Axial slice 228 of 602 of a contrast-enhanced abdominal CT in the arterial phase (slice 1 is the lowest), 120 kVp, kernel I30f; 1.00 mm slice thickness and 0.799 mm pixels.
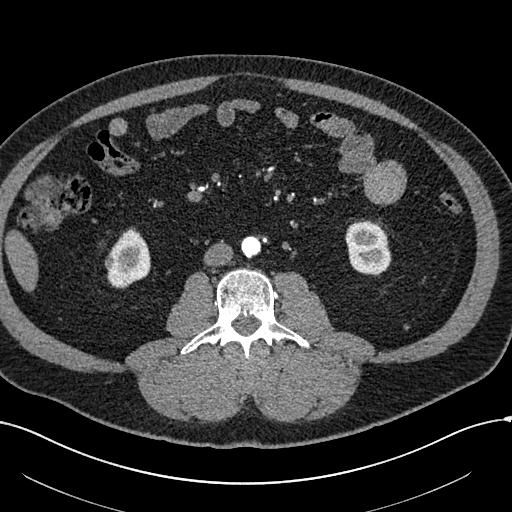
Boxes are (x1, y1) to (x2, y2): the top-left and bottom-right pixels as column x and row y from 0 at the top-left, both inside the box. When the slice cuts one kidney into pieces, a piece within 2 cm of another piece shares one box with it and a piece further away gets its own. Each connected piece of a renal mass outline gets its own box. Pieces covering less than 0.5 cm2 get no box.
Boxed on this slice (two kidney boxes and one renal mass box), listed by box centre from the image's left to its right: (1) Box (104, 253) to (117, 269): right renal mass (outlined area 179 px, about 1.1 cm2). (2) Box (107, 227) to (150, 288): right kidney (outlined area 1,819 px, about 11.6 cm2). (3) Left kidney, box (345, 219) to (391, 275) (outlined area 2,059 px, about 13.1 cm2).